One axial slice (183 of 304, counting up from the lowest) of an arterial-phase abdominal CT acquired with 100 kVp, kernel I30f; each pixel is 0.809 mm and the slice is 2.00 mm thick.
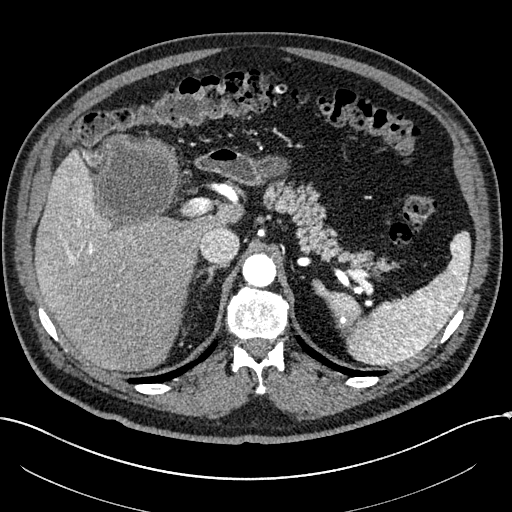
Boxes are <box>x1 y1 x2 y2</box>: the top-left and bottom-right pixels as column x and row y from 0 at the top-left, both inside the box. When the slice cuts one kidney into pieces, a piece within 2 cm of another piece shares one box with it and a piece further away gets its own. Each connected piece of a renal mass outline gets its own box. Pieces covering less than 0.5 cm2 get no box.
Right renal mass: <box>93 132 179 230</box> (outlined area 6,950 px, about 45.4 cm2); no kidney is outlined on this slice, but the same outlined renal mass comes within 1 cm of the kidney on another slice.